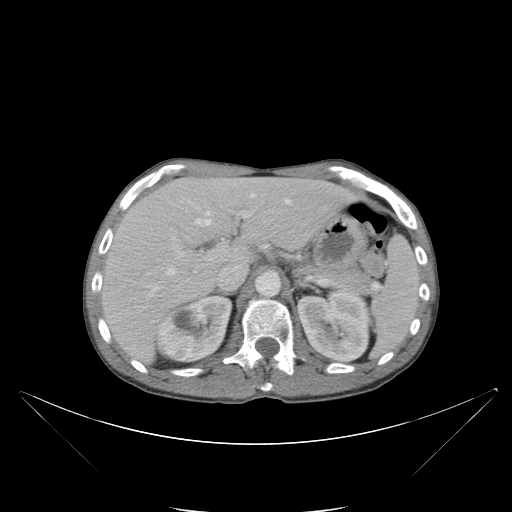
One axial slice (69 of 88, counting up from the lowest) of a contrast-enhanced abdominal CT acquired with 120 kVp, kernel B; each pixel is 0.865 mm and the slice is 5.00 mm thick.
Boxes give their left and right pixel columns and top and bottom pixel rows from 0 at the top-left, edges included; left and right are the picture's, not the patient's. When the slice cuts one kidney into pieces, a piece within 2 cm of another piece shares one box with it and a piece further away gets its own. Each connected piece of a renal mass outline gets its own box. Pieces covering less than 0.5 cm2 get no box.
Two boxes on this slice (two kidney boxes), listed by box centre from the image's left to its right. (1) Box with left 157, top 295, right 232, bottom 363: right kidney (outlined area 3,810 px, about 28.5 cm2). (2) Left kidney in the box with left 296, top 291, right 372, bottom 360 (outlined area 4,145 px, about 31.0 cm2). This slice carries no renal mass outline.